Axial slice 34 of 76 of a contrast-enhanced abdominal CT (slice 1 is the lowest), 100 kVp, kernel I40f; 3.00 mm slice thickness and 0.768 mm pixels.
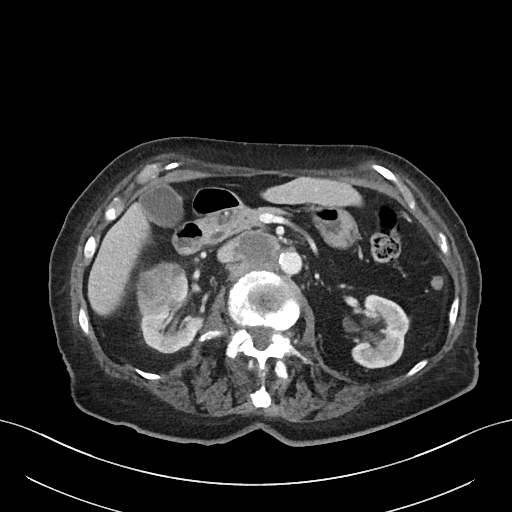
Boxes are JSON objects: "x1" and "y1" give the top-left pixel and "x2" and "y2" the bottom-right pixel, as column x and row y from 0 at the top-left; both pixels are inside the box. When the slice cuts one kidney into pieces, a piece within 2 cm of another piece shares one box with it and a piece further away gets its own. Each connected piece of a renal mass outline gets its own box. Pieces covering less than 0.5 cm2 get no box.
Two kidney boxes and one renal mass box on this slice; by box centre, from the image's left to its right: (1) Right renal mass, box {"x1": 136, "y1": 261, "x2": 186, "y2": 315} (outlined area 2,203 px, about 13.0 cm2). (2) Right kidney at {"x1": 138, "y1": 271, "x2": 203, "y2": 353} (outlined area 2,433 px, about 14.3 cm2). (3) Left kidney at {"x1": 351, "y1": 294, "x2": 409, "y2": 368} (outlined area 3,101 px, about 18.3 cm2).